One axial slice (312 of 665, counting up from the lowest) of an arterial-phase abdominal CT acquired with 100 kVp, kernel I26f; each pixel is 0.828 mm and the slice is 1.00 mm thick.
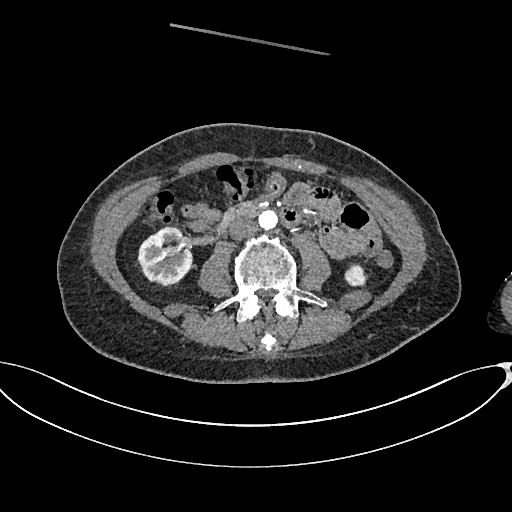
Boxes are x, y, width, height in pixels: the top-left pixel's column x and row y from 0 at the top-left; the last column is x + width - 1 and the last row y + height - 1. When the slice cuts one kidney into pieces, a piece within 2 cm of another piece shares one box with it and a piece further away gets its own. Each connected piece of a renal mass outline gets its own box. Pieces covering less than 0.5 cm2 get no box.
Two boxes on this slice (two kidney boxes), listed by box centre from the image's left to its right. (1) Box x 136, y 227, width 57, height 61: right kidney (outlined area 2,480 px, about 17.0 cm2). (2) Box x 344, y 263, width 25, height 24: left kidney (outlined area 437 px, about 3.0 cm2). No renal mass outline on this slice.